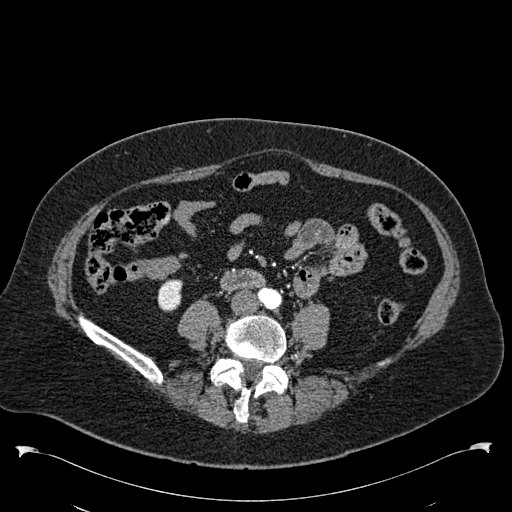
One axial slice (199 of 538, counting up from the lowest) of an arterial-phase abdominal CT acquired with 120 kVp, kernel B30f; each pixel is 0.811 mm and the slice is 1.00 mm thick.
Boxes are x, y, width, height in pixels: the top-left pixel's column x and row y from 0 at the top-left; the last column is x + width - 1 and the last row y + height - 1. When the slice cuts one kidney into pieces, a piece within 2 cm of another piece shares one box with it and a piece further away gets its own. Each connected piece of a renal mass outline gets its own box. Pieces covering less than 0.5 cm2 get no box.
Right kidney at x 157, y 279, width 26, height 33 (outlined area 684 px, about 4.5 cm2). This slice carries no renal mass outline.